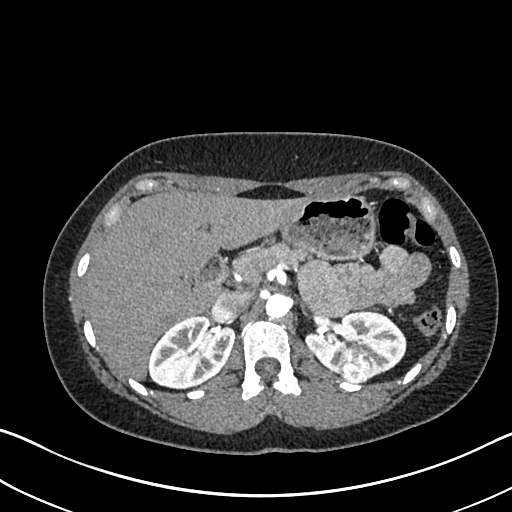
One axial slice (472 of 612, counting up from the lowest) of an arterial-phase abdominal CT acquired with 120 kVp, kernel I30f; each pixel is 0.703 mm and the slice is 1.00 mm thick.
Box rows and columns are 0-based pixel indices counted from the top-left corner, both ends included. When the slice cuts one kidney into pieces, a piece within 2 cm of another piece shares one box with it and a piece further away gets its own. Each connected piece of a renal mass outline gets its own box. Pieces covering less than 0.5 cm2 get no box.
Boxed on this slice (two kidney boxes and one renal mass box), listed by box centre from the image's left to its right: (1) Box rows 314–389, columns 148–235: right kidney (outlined area 4,666 px, about 23.1 cm2). (2) Left renal mass, box rows 357–382, columns 339–371 (outlined area 678 px, about 3.4 cm2). (3) Box rows 309–379, columns 305–406: left kidney (outlined area 4,467 px, about 22.1 cm2).